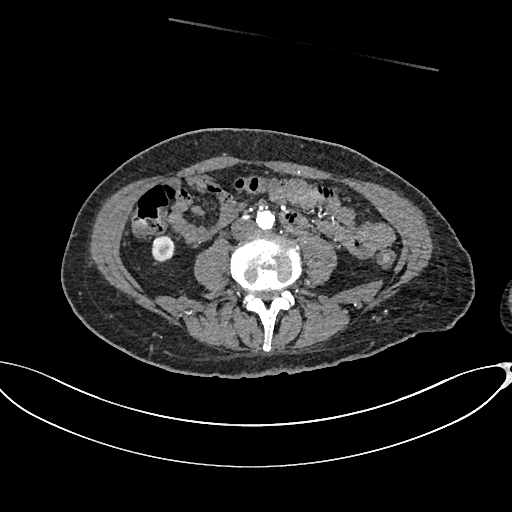
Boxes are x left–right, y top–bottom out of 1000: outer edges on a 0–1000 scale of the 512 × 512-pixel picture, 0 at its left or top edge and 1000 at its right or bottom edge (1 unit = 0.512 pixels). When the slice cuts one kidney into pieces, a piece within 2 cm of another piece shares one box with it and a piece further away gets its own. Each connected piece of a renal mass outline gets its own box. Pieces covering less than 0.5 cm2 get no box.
This is axial slice 274 of 665 (slice 1 is the lowest) of an arterial-phase abdominal CT with contrast; each pixel is 0.828 mm and the slice is 1.00 mm thick. Box x 295–342, y 459–514 out of 1000: right kidney (outlined area 517 px, about 3.5 cm2). This slice carries no renal mass outline.
Tube voltage 100 kVp; convolution kernel I26f.